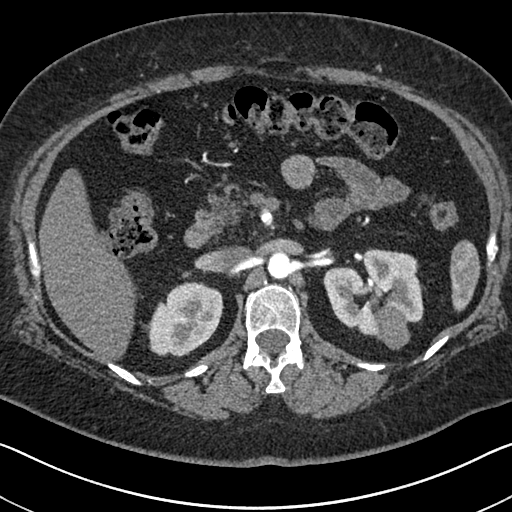
Axial slice 441 of 591 of a contrast-enhanced abdominal CT in the arterial phase (slice 1 is the lowest), 140 kVp, kernel I30f; 1.00 mm slice thickness and 0.703 mm pixels.
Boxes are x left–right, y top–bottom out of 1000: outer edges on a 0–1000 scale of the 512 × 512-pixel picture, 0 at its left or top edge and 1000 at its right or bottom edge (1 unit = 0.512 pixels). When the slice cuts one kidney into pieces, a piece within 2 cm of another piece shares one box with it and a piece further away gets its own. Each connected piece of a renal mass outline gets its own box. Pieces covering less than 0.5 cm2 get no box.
Two kidney boxes and one renal mass box on this slice; by box centre, from the image's left to its right: (1) Right kidney at x 279–438, y 549–697 out of 1000 (outlined area 4,236 px, about 20.9 cm2). (2) Left kidney at x 631–828, y 486–664 out of 1000 (outlined area 5,680 px, about 28.1 cm2). (3) Box x 730–803, y 596–684 out of 1000: left renal mass (outlined area 1,186 px, about 5.9 cm2).